Abdominal CT with intravenous contrast, arterial phase, axial plane, 100 kVp, kernel I40f. Slice 93/234 from the bottom of the scan; thickness 2.00 mm; pixel size 0.699 mm.
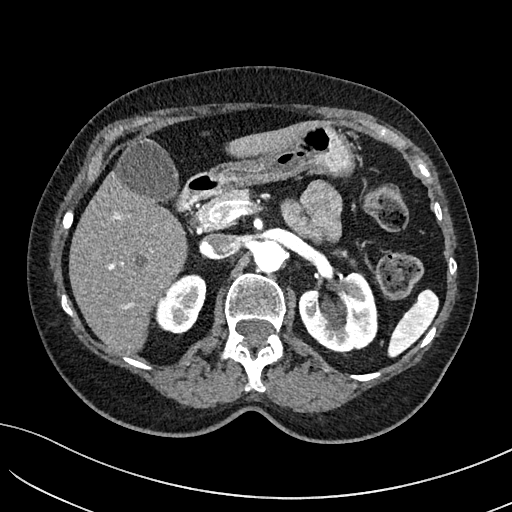
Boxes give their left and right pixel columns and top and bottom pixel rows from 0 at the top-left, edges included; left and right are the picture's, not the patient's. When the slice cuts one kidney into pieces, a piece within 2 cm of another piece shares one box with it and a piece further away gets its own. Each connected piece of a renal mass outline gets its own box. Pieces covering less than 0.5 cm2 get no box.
Two kidney boxes on this slice; by box centre, from the image's left to its right: (1) Right kidney, the box with left 155, top 274, right 206, bottom 334 (outlined area 2,247 px, about 11.0 cm2). (2) Left kidney, the box with left 298, top 272, right 378, bottom 353 (outlined area 4,658 px, about 22.8 cm2). No renal mass outline on this slice.